Abdominal CT with intravenous contrast, arterial phase, axial plane, 120 kVp, kernel I26f. Slice 634/987 from the bottom of the scan; thickness 1.00 mm; pixel size 0.977 mm.
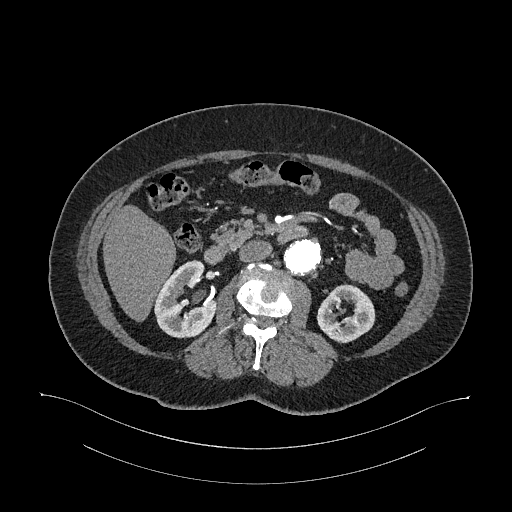
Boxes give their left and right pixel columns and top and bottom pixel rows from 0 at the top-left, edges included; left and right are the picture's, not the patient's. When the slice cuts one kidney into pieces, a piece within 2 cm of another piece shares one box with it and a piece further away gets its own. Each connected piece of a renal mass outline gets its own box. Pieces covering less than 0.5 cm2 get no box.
Boxed on this slice (two kidney boxes), listed by box centre from the image's left to its right: (1) Right kidney, the box with left 153, top 260, right 217, bottom 338 (outlined area 3,334 px, about 31.8 cm2). (2) Box with left 316, top 284, right 375, bottom 343: left kidney (outlined area 2,415 px, about 23.0 cm2). This slice carries no renal mass outline.